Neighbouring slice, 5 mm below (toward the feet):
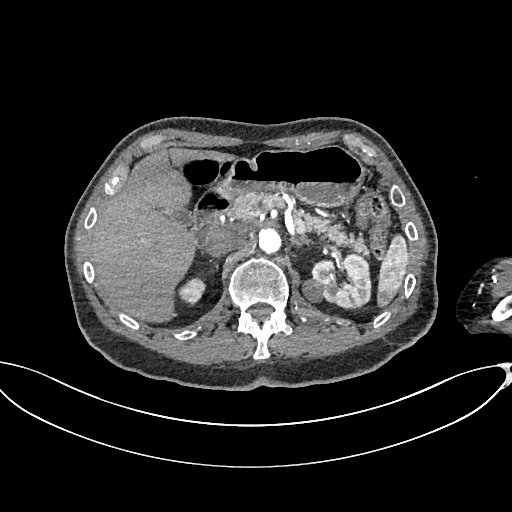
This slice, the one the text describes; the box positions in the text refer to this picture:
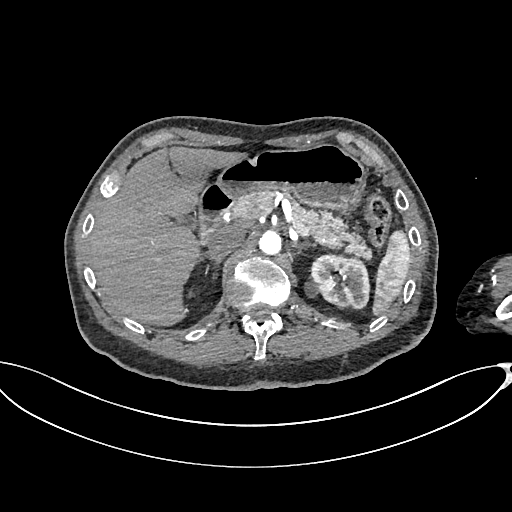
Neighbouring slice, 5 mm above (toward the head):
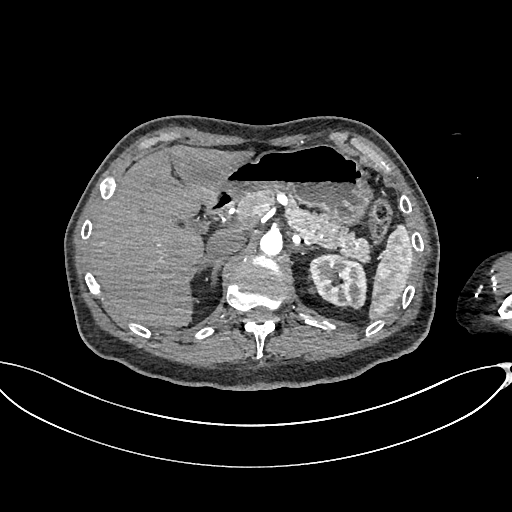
One axial slice (466 of 665, counting up from the lowest) of an arterial-phase abdominal CT acquired with 100 kVp, kernel I26f; each pixel is 0.828 mm and the slice is 1.00 mm thick.
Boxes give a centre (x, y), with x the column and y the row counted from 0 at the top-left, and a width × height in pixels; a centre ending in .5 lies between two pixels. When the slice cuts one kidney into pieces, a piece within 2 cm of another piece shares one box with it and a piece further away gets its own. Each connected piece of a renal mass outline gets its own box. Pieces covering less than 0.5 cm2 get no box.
One kidney box and one renal mass box on this slice; by box centre, from the image's left to its right: (1) Left renal mass, box centre (312, 288), 17 × 19 pixels (outlined area 199 px, about 1.4 cm2). (2) Left kidney in a box with centre (339.5, 281), 60 × 55 pixels (outlined area 2,508 px, about 17.2 cm2). This slice is near the end of the left renal mass toward the head, so the slices 5 mm below and 5 mm above it are shown as well; the boxes refer to this slice only.